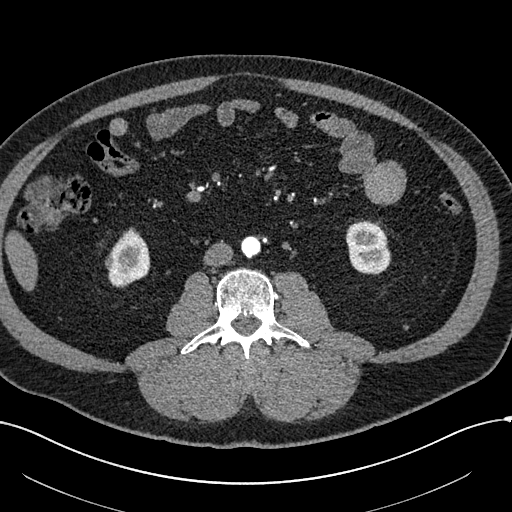
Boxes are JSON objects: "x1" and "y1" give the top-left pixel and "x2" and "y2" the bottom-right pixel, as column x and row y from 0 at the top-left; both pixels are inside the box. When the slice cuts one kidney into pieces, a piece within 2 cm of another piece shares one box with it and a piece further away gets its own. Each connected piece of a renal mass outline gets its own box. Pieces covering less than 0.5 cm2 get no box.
Arterial-phase contrast-enhanced abdominal CT, axial slice 227 of 602 (counted from the lowest slice); 1.00 mm thick, 0.799 mm per pixel. Boxed on this slice (two kidney boxes and one renal mass box), listed by box centre from the image's left to its right: (1) Right renal mass at {"x1": 105, "y1": 253, "x2": 117, "y2": 270} (outlined area 175 px, about 1.1 cm2). (2) Right kidney, box {"x1": 108, "y1": 227, "x2": 150, "y2": 287} (outlined area 1,728 px, about 11.0 cm2). (3) Left kidney at {"x1": 346, "y1": 221, "x2": 390, "y2": 274} (outlined area 1,929 px, about 12.3 cm2).
Acquired at 120 kVp and reconstructed with the I30f kernel.